Arterial-phase contrast-enhanced abdominal CT, axial slice 209 of 538 (counted from the lowest slice); tube voltage 120 kVp, convolution kernel B30f; slices 1.00 mm thick, 0.811 mm per pixel.
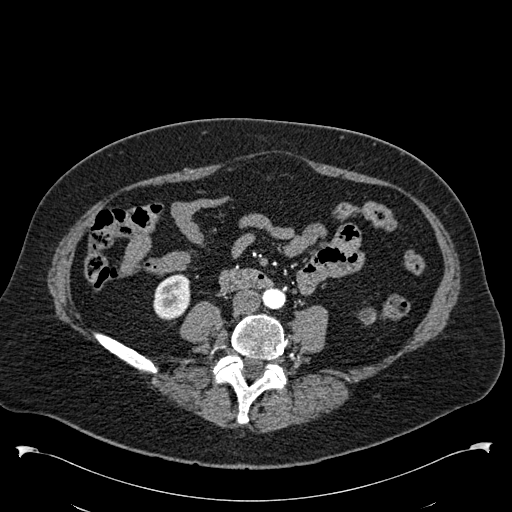
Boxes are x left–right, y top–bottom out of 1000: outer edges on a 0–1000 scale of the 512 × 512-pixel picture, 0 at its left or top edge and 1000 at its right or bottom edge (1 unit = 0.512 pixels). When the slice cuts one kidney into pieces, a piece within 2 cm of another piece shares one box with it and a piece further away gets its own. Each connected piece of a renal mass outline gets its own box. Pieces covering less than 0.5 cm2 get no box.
Two boxes on this slice (one kidney box and one renal mass box), listed by box centre from the image's left to its right. (1) Right kidney, box x 299–373, y 533–627 out of 1000 (outlined area 1,394 px, about 9.2 cm2). (2) Box x 701–736, y 602–637 out of 1000: left renal mass (outlined area 235 px, about 1.5 cm2); on this slice it lies more than 1 cm from any kidney outline, but the same outlined renal mass comes within 1 cm of the kidney on another slice.